Contrast-enhanced abdominal CT, axial slice 59 of 143 (counted from the lowest slice); tube voltage 100 kVp, convolution kernel I41f; slices 5.00 mm thick, 0.734 mm per pixel.
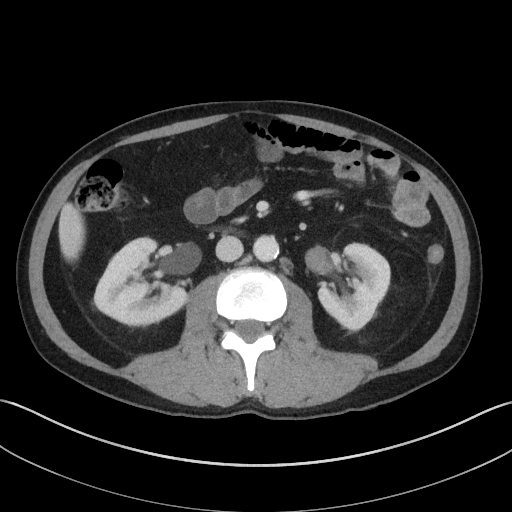
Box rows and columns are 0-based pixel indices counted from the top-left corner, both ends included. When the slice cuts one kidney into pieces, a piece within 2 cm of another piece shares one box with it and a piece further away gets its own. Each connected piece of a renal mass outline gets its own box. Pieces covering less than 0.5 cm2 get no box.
Two kidney boxes on this slice; by box centre, from the image's left to its right: (1) Right kidney, box rows 236–327, columns 93–186 (outlined area 5,892 px, about 31.8 cm2). (2) Left kidney, box rows 242–329, columns 317–390 (outlined area 4,486 px, about 24.2 cm2). No renal mass is outlined on this slice.